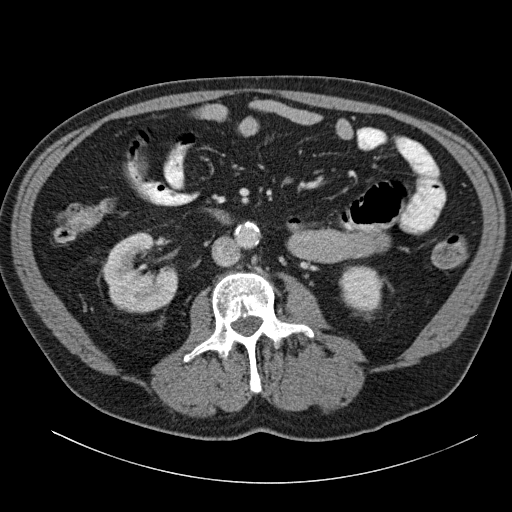
One axial slice (64 of 140, counting up from the lowest) of an arterial-phase abdominal CT acquired with 120 kVp, kernel B31f; each pixel is 0.754 mm and the slice is 5.00 mm thick.
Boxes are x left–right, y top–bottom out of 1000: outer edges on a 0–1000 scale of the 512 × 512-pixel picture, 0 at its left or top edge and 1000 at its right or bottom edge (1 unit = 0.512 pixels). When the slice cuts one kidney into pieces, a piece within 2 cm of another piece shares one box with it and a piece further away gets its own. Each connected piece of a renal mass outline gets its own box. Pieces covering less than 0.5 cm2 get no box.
Two boxes on this slice (two kidney boxes), listed by box centre from the image's left to its right. (1) Right kidney, box x 197–350, y 453–613 out of 1000 (outlined area 4,287 px, about 24.4 cm2). (2) Left kidney at x 664–748, y 518–607 out of 1000 (outlined area 1,583 px, about 9.0 cm2). This slice carries no renal mass outline.